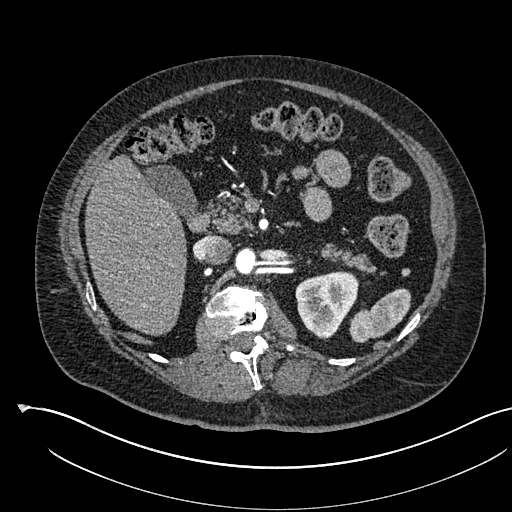
One axial slice (361 of 541, counting up from the lowest) of an arterial-phase abdominal CT acquired with 120 kVp, kernel I30f; each pixel is 0.834 mm and the slice is 1.00 mm thick.
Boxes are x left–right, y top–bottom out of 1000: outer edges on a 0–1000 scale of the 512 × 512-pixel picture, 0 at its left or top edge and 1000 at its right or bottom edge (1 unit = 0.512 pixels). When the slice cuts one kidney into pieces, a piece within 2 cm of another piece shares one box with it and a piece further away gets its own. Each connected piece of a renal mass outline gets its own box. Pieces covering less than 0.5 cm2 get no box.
Left kidney, box x 576–701, y 529–664 out of 1000 (outlined area 3,135 px, about 21.8 cm2). This slice carries no renal mass outline.